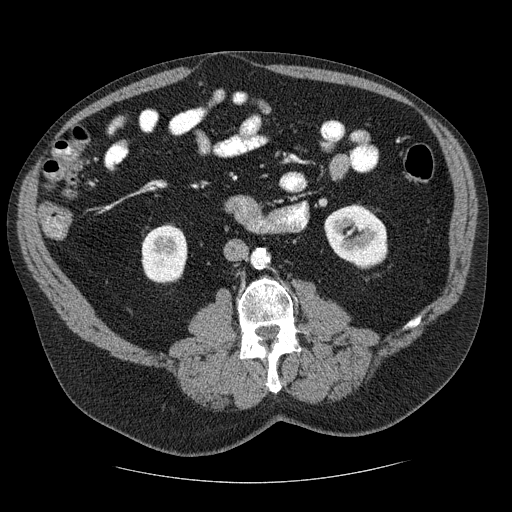
One axial slice (115 of 206, counting up from the lowest) of a contrast-enhanced abdominal CT acquired with 120 kVp, kernel STANDARD; each pixel is 0.879 mm and the slice is 2.50 mm thick.
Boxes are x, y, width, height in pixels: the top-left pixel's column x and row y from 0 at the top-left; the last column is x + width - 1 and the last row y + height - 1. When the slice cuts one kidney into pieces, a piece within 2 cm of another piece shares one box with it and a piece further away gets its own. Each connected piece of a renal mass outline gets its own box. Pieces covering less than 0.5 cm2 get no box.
Two kidney boxes on this slice; by box centre, from the image's left to its right: (1) Box x 141, y 223, width 47, height 62: right kidney (outlined area 2,325 px, about 18.0 cm2). (2) Left kidney, box x 324, y 204, width 64, height 66 (outlined area 3,126 px, about 24.1 cm2). No renal mass is outlined on this slice.